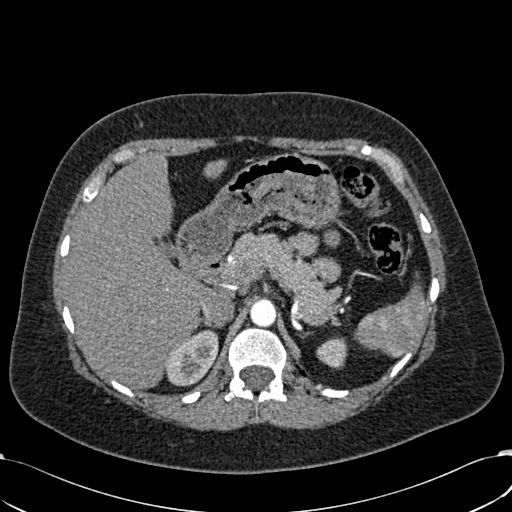
Abdominal CT with intravenous contrast, arterial phase, axial plane, 120 kVp, kernel B30f. Slice 444/532 from the bottom of the scan; thickness 1.00 mm; pixel size 0.713 mm.
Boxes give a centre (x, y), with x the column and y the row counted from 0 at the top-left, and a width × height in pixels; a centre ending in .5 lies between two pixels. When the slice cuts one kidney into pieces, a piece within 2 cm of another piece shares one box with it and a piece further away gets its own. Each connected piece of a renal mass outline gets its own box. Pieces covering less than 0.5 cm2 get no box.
Two boxes on this slice (two kidney boxes), listed by box centre from the image's left to its right. (1) Right kidney, box centre (191.5, 357.5), 54 × 58 pixels (outlined area 2,145 px, about 10.9 cm2). (2) Box centre (331.5, 352.5), 32 × 32 pixels: left kidney (outlined area 741 px, about 3.8 cm2). This slice carries no renal mass outline.